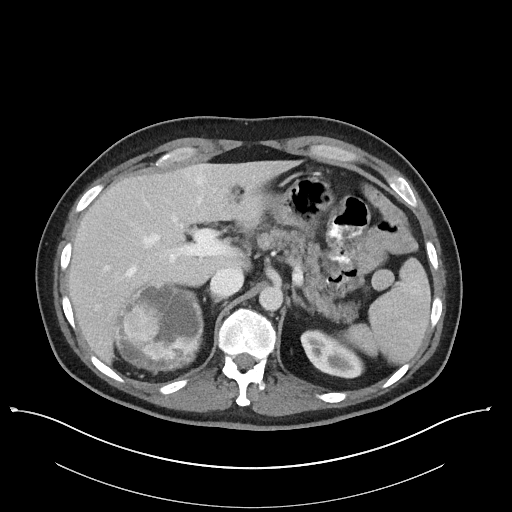
Contrast-enhanced abdominal CT, axial slice 80 of 101 (counted from the lowest slice); tube voltage 100 kVp, convolution kernel I40f; slices 5.00 mm thick, 0.879 mm per pixel.
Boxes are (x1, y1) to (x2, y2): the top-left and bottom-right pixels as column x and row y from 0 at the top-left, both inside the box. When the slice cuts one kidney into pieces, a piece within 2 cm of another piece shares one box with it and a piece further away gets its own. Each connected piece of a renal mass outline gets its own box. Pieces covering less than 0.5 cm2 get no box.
One kidney box and one renal mass box on this slice; by box centre, from the image's left to its right: (1) Right renal mass, box (116, 280) to (203, 371) (outlined area 6,549 px, about 50.6 cm2); it sits over 1 cm from every kidney outline on this slice, but the same outlined renal mass comes within 1 cm of the kidney on another slice. (2) Left kidney, box (300, 329) to (364, 378) (outlined area 2,022 px, about 15.6 cm2).